Arterial-phase contrast-enhanced abdominal CT, axial slice 383 of 719 (counted from the lowest slice); tube voltage 120 kVp, convolution kernel B20f; slices 1.00 mm thick, 0.766 mm per pixel.
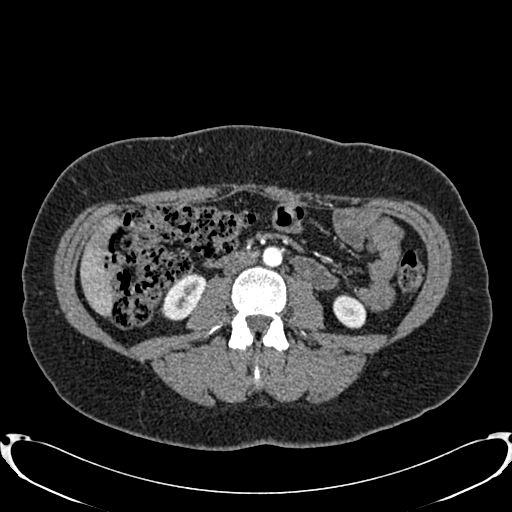
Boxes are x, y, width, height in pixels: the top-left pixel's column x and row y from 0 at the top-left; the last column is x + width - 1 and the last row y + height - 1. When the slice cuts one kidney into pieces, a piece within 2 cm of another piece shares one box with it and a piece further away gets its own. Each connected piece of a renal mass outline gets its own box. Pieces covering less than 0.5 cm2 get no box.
Two kidney boxes on this slice; by box centre, from the image's left to its right: (1) Right kidney, box x 160, y 273, width 46, height 48 (outlined area 1,424 px, about 8.3 cm2). (2) Box x 332, y 294, width 35, height 35: left kidney (outlined area 881 px, about 5.2 cm2). No renal mass is outlined on this slice.